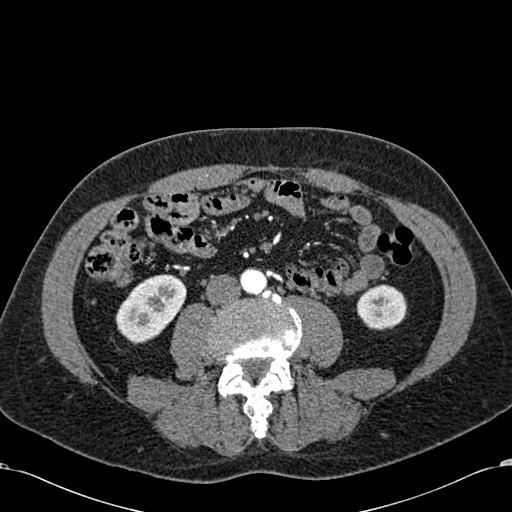
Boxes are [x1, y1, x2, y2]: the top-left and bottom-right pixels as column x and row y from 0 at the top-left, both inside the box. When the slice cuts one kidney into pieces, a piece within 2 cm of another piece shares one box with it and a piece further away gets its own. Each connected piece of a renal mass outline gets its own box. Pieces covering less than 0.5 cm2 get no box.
Slice 229/581 of a contrast-enhanced abdominal CT in the arterial phase, counting up from the lowest; pixel size 0.713 mm, slice thickness 1.00 mm. Boxed on this slice (two kidney boxes), listed by box centre from the image's left to its right: (1) Right kidney at [115, 274, 186, 344] (outlined area 3,376 px, about 17.2 cm2). (2) Box [356, 284, 406, 330]: left kidney (outlined area 1,828 px, about 9.3 cm2). This slice carries no renal mass outline.
Acquired at 120 kVp and reconstructed with the B30f kernel.